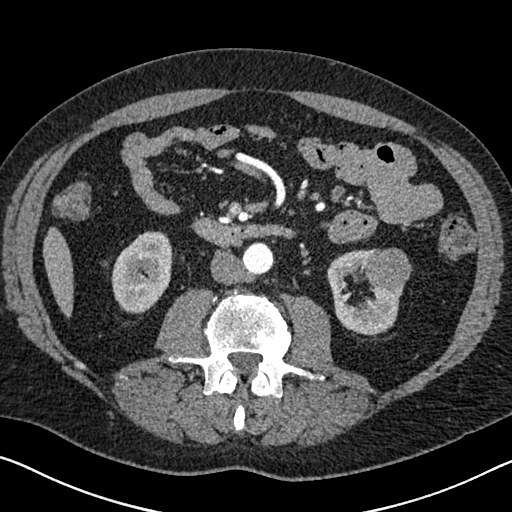
Abdominal CT with intravenous contrast, arterial phase, axial plane, 120 kVp, kernel I30f. Slice 326/626 from the bottom of the scan; thickness 1.00 mm; pixel size 0.703 mm.
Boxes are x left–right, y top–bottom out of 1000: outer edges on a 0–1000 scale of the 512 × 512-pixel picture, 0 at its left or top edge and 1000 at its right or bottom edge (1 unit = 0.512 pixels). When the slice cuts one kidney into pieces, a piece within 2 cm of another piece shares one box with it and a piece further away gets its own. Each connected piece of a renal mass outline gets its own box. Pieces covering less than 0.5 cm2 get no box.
Boxed on this slice (two kidney boxes and one renal mass box), listed by box centre from the image's left to its right: (1) Right kidney at x 217–338, y 451–613 out of 1000 (outlined area 3,828 px, about 18.9 cm2). (2) Box x 639–787, y 484–656 out of 1000: left kidney (outlined area 3,618 px, about 17.9 cm2). (3) Box x 711–807, y 484–572 out of 1000: left renal mass (outlined area 1,627 px, about 8.0 cm2).